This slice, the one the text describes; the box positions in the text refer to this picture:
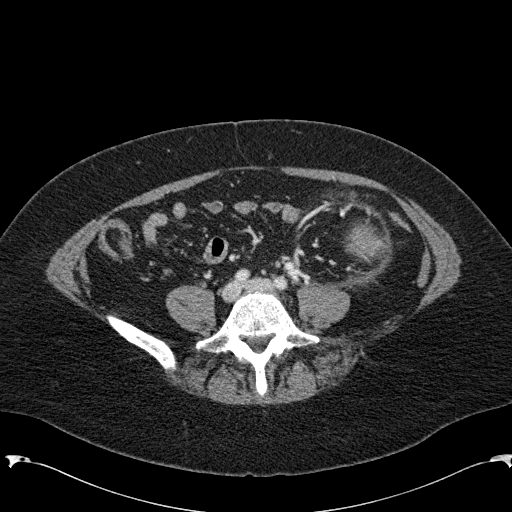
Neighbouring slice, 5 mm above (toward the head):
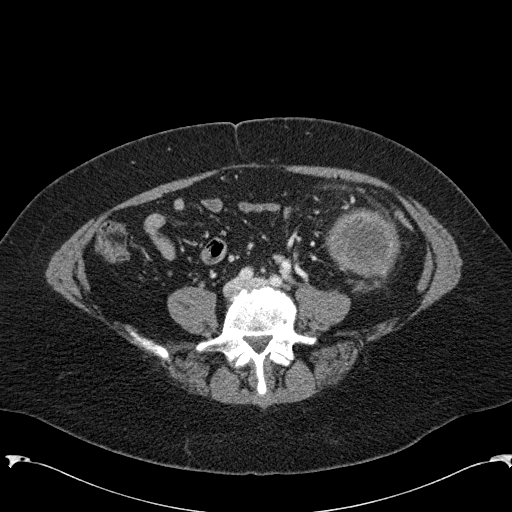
Axial slice 19 of 285 of a contrast-enhanced abdominal CT in the arterial phase (slice 1 is the lowest), 120 kVp, kernel B31f; 2.00 mm slice thickness and 0.762 mm pixels.
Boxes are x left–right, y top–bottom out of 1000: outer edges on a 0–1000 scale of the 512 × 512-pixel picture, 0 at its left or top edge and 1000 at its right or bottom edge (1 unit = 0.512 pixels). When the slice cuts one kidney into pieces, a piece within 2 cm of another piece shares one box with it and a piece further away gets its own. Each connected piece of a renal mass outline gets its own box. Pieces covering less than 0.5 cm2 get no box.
Left renal mass, box x 672–750, y 432–516 out of 1000 (outlined area 1,166 px, about 6.8 cm2); this slice has no kidney outline, though on another slice the same outlined renal mass lies within 1 cm of the kidney. This slice lies near the end of the left renal mass toward the feet; the slice 5 mm above it is shown too, and the boxes mark positions on this slice only.